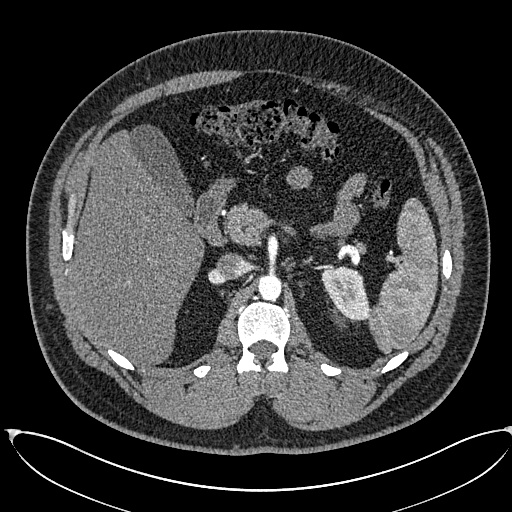
One axial slice (414 of 673, counting up from the lowest) of an arterial-phase abdominal CT acquired with 120 kVp, kernel I30f; each pixel is 0.855 mm and the slice is 1.00 mm thick.
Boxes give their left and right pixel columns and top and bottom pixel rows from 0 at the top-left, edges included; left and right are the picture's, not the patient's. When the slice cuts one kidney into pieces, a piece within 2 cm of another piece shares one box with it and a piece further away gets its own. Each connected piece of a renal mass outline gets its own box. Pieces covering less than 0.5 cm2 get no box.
Left kidney in the box with left 321, top 266, right 369, bottom 319 (outlined area 1,911 px, about 14.0 cm2). No renal mass is outlined on this slice.